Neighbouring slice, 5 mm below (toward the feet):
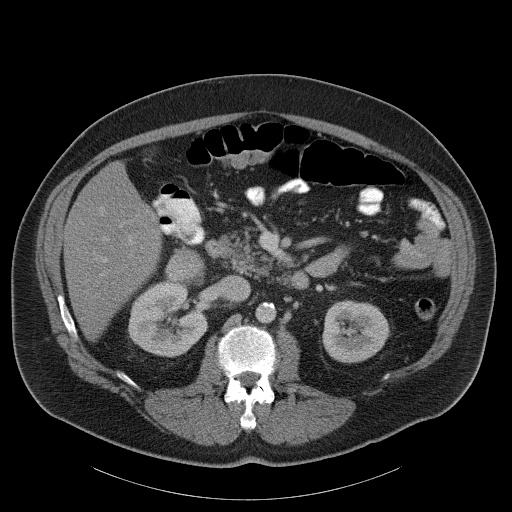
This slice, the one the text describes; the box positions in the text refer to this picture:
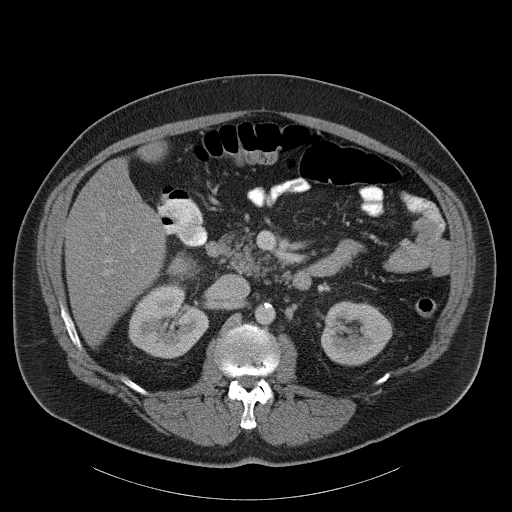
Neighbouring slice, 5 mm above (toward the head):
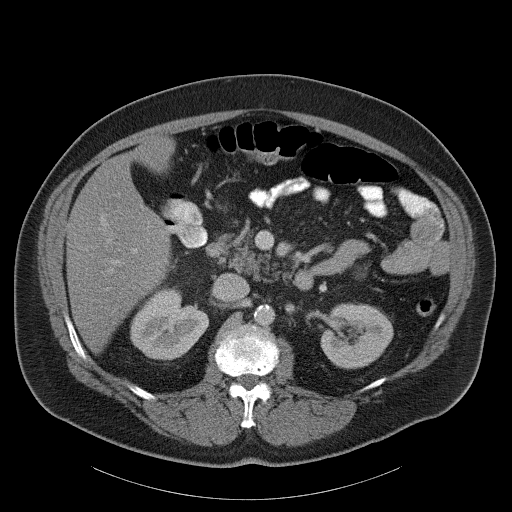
One axial slice (66 of 107, counting up from the lowest) of a contrast-enhanced abdominal CT acquired with 120 kVp, kernel B31f; each pixel is 0.941 mm and the slice is 5.00 mm thick.
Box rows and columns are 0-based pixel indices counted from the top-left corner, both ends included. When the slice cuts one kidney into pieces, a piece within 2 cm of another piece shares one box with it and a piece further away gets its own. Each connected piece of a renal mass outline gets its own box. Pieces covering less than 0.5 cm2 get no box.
Three boxes on this slice (two kidney boxes and one renal mass box), listed by box centre from the image's left to its right. (1) Right kidney, box rows 283–358, columns 128–208 (outlined area 4,350 px, about 38.6 cm2). (2) Right renal mass at rows 251–281, columns 166–199 (outlined area 641 px, about 5.7 cm2). (3) Box rows 301–365, columns 320–392: left kidney (outlined area 3,576 px, about 31.7 cm2). This slice is near the end of the right renal mass toward the head, so the slices 5 mm below and 5 mm above it are shown as well; the boxes refer to this slice only.